Arterial-phase contrast-enhanced abdominal CT, axial slice 69 of 304 (counted from the lowest slice); tube voltage 100 kVp, convolution kernel I30f; slices 2.00 mm thick, 0.809 mm per pixel.
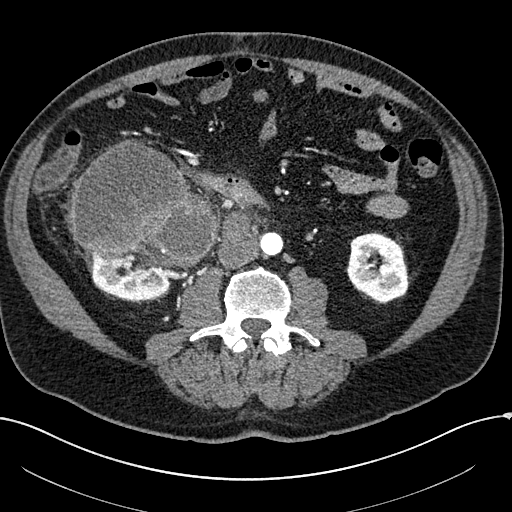
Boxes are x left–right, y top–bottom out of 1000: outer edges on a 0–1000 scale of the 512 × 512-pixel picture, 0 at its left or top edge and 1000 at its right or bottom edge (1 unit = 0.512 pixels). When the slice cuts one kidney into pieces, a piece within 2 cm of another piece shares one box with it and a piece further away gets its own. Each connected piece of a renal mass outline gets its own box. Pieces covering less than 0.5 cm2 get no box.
Boxed on this slice (two kidney boxes and one renal mass box), listed by box centre from the image's left to its right: (1) Right kidney, box x 166–338, y 488–590 out of 1000 (outlined area 2,957 px, about 19.3 cm2). (2) Right renal mass at x 135–426, y 271–529 out of 1000 (outlined area 13,695 px, about 89.5 cm2). (3) Left kidney at x 676–801, y 453–594 out of 1000 (outlined area 3,455 px, about 22.6 cm2).